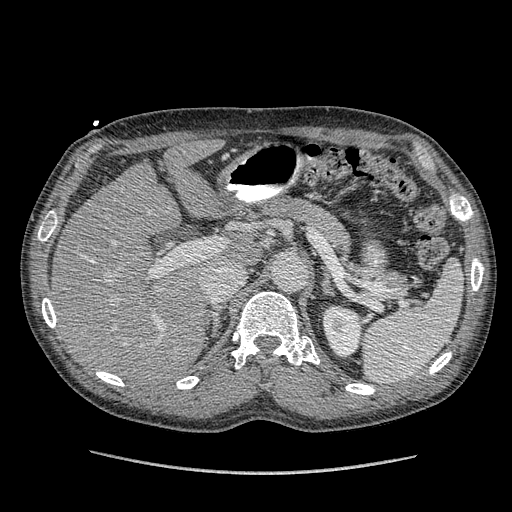
Arterial-phase contrast-enhanced abdominal CT, axial slice 256 of 349 (counted from the lowest slice); tube voltage 120 kVp, convolution kernel STANDARD; slices 1.25 mm thick, 0.742 mm per pixel.
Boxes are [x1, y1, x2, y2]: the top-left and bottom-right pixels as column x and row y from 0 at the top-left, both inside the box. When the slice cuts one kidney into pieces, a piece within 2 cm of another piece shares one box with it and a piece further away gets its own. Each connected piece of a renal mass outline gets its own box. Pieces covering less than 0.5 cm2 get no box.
Left kidney, box [322, 305, 363, 358] (outlined area 1,736 px, about 9.6 cm2). No renal mass outline on this slice.